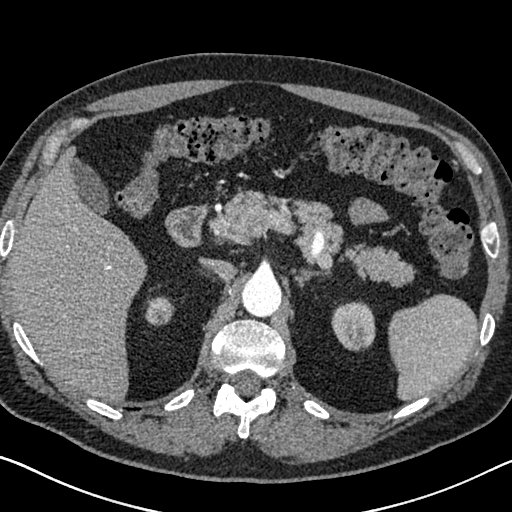
Axial slice 481 of 626 of a contrast-enhanced abdominal CT in the arterial phase (slice 1 is the lowest), 120 kVp, kernel I30f; 1.00 mm slice thickness and 0.703 mm pixels.
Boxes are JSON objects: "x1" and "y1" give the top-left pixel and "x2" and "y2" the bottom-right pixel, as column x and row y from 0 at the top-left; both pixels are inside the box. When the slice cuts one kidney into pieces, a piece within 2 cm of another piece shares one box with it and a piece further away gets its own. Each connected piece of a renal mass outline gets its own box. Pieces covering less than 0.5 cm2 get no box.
Two kidney boxes on this slice; by box centre, from the image's left to its right: (1) Right kidney at {"x1": 145, "y1": 296, "x2": 175, "y2": 325} (outlined area 682 px, about 3.4 cm2). (2) Left kidney at {"x1": 331, "y1": 301, "x2": 375, "y2": 351} (outlined area 1,764 px, about 8.7 cm2). No renal mass outline on this slice.